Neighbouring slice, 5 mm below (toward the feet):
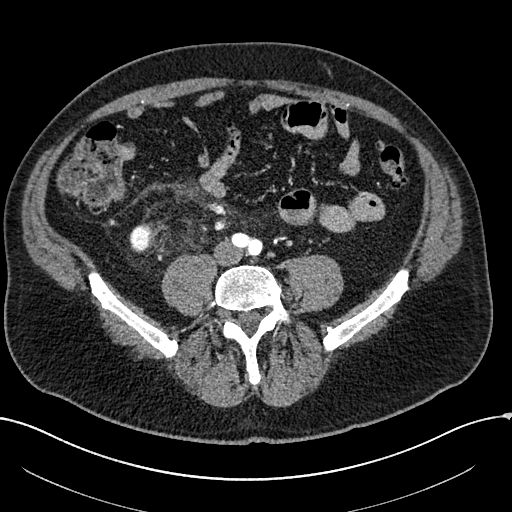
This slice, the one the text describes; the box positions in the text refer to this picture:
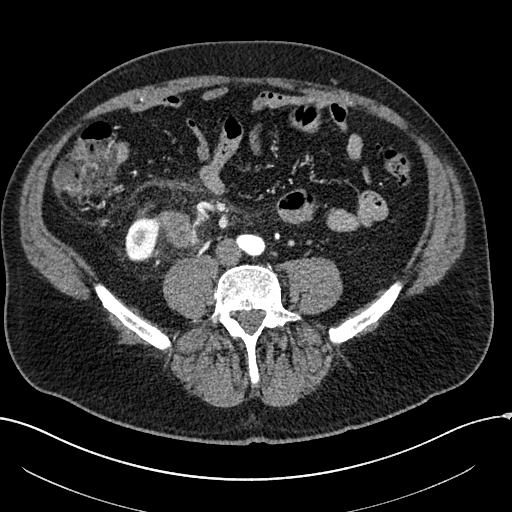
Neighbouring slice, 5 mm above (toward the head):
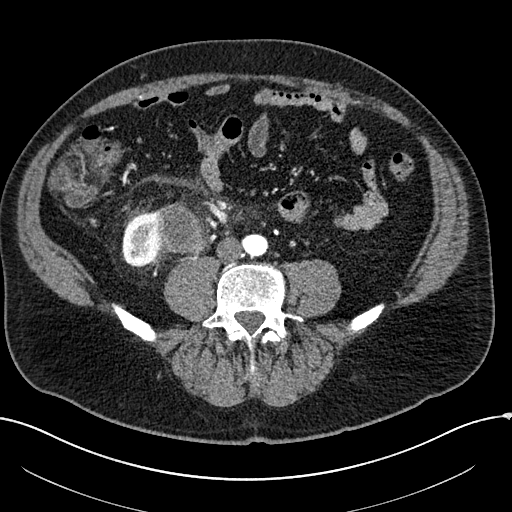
Axial slice 28 of 304 of a contrast-enhanced abdominal CT in the arterial phase (slice 1 is the lowest), 100 kVp, kernel I30f; 2.00 mm slice thickness and 0.809 mm pixels.
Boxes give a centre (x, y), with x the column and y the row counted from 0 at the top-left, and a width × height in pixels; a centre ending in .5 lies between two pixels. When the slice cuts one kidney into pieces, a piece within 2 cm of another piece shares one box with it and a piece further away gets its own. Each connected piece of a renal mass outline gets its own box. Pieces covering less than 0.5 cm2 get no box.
One kidney box and one renal mass box on this slice; by box centre, from the image's left to its right: (1) Right kidney in a box with centre (141.5, 240), 34 × 43 pixels (outlined area 1,122 px, about 7.3 cm2). (2) Right renal mass, box centre (177.5, 228.5), 46 × 38 pixels (outlined area 1,195 px, about 7.8 cm2). This slice is near the end of the right renal mass toward the feet, so the slices 5 mm below and 5 mm above it are shown as well; the boxes refer to this slice only.